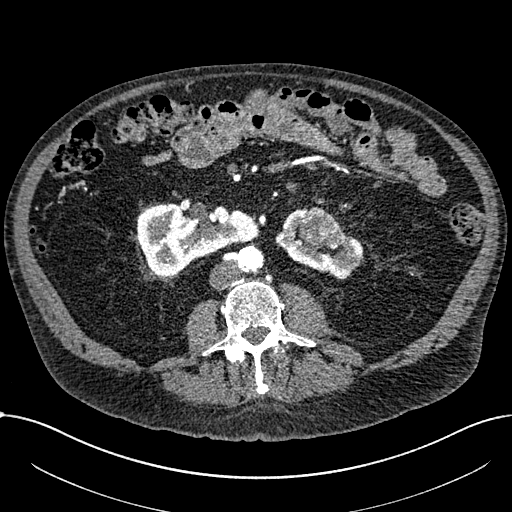
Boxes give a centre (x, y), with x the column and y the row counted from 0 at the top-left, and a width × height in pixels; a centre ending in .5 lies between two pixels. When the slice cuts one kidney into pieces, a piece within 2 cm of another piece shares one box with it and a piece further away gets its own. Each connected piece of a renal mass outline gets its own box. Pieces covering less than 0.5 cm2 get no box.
Arterial-phase contrast-enhanced abdominal CT, axial slice 323 of 1059 (counted from the lowest slice); 1.00 mm thick, 0.811 mm per pixel. Two kidney boxes and one renal mass box on this slice; by box centre, from the image's left to its right: (1) Right part of the midline-crossing kidney, box centre (197, 239), 121 × 75 pixels (outlined area 6,005 px, about 39.5 cm2). (2) Left part of the midline-crossing kidney in a box with centre (319, 243), 89 × 73 pixels (outlined area 2,689 px, about 17.7 cm2). (3) Renal mass in a box with centre (320.5, 227.5), 48 × 42 pixels (outlined area 1,404 px, about 9.2 cm2).
Scan settings: 100 kVp, I30f reconstruction kernel.